Abdominal CT with intravenous contrast, arterial phase, axial plane, 100 kVp, kernel I30f. Slice 122/302 from the bottom of the scan; thickness 5.00 mm; pixel size 0.875 mm.
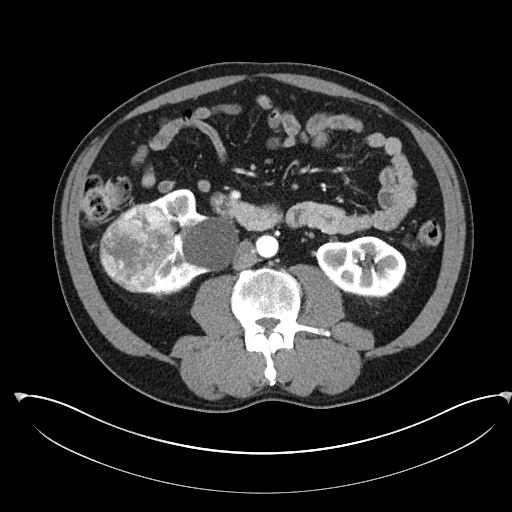
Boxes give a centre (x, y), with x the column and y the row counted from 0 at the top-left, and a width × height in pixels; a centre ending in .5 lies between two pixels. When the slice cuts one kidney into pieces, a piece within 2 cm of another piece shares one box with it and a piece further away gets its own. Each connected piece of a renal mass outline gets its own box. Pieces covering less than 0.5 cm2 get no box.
Three boxes on this slice (two kidney boxes and one renal mass box), listed by box centre from the image's left to its right. (1) Box centre (137.5, 247.5), 76 × 90 pixels: right renal mass (outlined area 4,834 px, about 37.0 cm2). (2) Box centre (192, 242.5), 99 × 110 pixels: right kidney (outlined area 5,430 px, about 41.6 cm2). (3) Left kidney in a box with centre (360.5, 267), 92 × 63 pixels (outlined area 4,232 px, about 32.4 cm2).